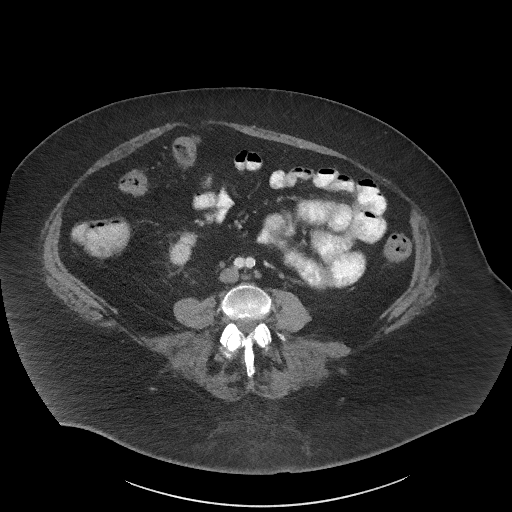
Arterial-phase contrast-enhanced abdominal CT, axial slice 7 of 61 (counted from the lowest slice); tube voltage 140 kVp, convolution kernel I41f; slices 3.00 mm thick, 0.947 mm per pixel.
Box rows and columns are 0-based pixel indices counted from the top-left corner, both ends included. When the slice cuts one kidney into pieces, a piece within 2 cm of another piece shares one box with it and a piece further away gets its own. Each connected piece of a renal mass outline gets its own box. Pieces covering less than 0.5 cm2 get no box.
Box rows 231–266, columns 168–197: right kidney (outlined area 685 px, about 6.1 cm2). No renal mass is outlined on this slice.